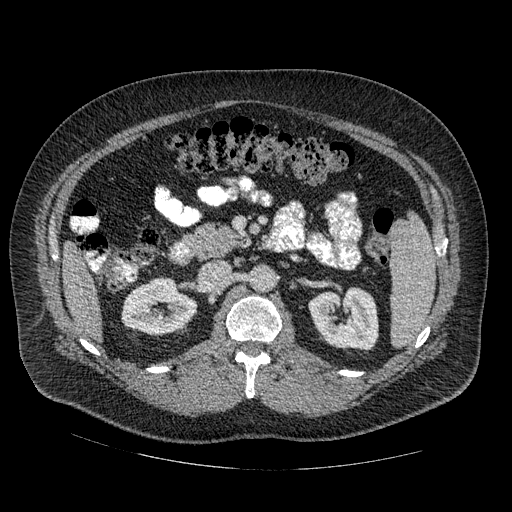
Abdominal CT with intravenous contrast, arterial phase, axial plane, 120 kVp, kernel STANDARD. Slice 287/445 from the bottom of the scan; thickness 1.25 mm; pixel size 0.863 mm.
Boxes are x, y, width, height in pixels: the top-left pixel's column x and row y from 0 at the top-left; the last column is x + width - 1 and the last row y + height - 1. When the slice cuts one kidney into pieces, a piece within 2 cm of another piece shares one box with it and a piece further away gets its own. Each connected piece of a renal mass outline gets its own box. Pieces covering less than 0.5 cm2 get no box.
Boxed on this slice (two kidney boxes), listed by box centre from the image's left to its right: (1) Box x 121, y 277, width 77, height 58: right kidney (outlined area 3,258 px, about 24.3 cm2). (2) Left kidney at x 308, y 286, width 71, height 65 (outlined area 3,544 px, about 26.4 cm2). This slice carries no renal mass outline.